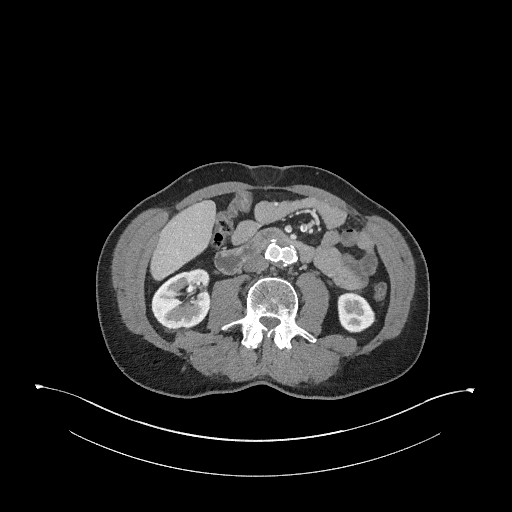
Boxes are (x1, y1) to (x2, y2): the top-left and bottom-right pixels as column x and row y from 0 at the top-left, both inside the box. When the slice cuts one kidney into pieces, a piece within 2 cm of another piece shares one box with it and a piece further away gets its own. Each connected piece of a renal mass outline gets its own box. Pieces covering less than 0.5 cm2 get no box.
Arterial-phase contrast-enhanced abdominal CT, axial slice 138 of 345 (counted from the lowest slice); 2.00 mm thick, 0.977 mm per pixel. Two boxes on this slice (two kidney boxes), listed by box centre from the image's left to its right. (1) Box (151, 268) to (211, 329): right kidney (outlined area 2,876 px, about 27.4 cm2). (2) Box (337, 292) to (375, 332): left kidney (outlined area 1,224 px, about 11.7 cm2). No renal mass is outlined on this slice.
Scan settings: 120 kVp, I31f reconstruction kernel.